Abdominal CT with intravenous contrast, arterial phase, axial plane, 120 kVp, kernel I30f. Slice 143/673 from the bottom of the scan; thickness 1.00 mm; pixel size 0.855 mm.
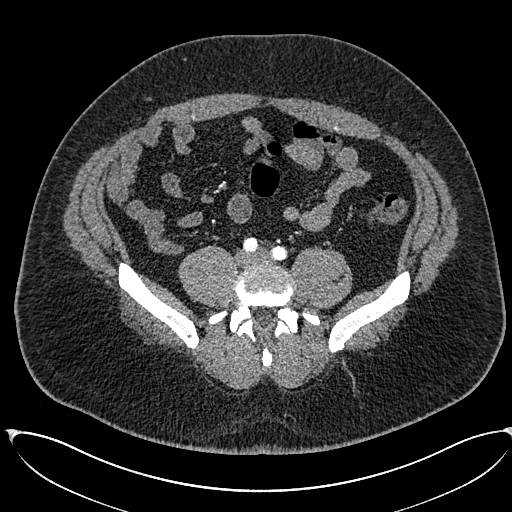
This slice carries no outline: it lies beyond the outlined kidneys and beyond every outlined renal mass. Other organs are not outlined in this scan.